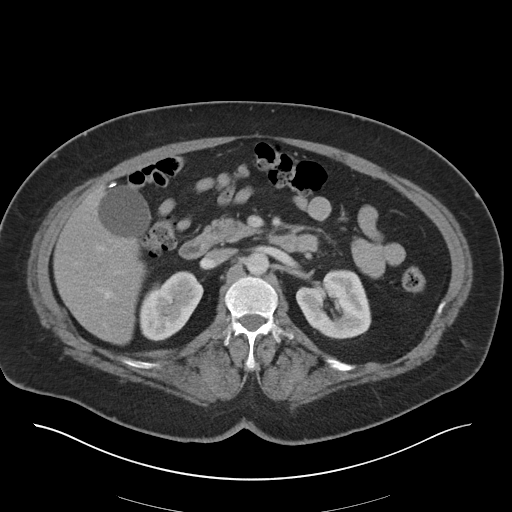
Axial slice 20 of 36 of a contrast-enhanced abdominal CT in the arterial phase (slice 1 is the lowest), 140 kVp, kernel I30f; 5.00 mm slice thickness and 0.906 mm pixels.
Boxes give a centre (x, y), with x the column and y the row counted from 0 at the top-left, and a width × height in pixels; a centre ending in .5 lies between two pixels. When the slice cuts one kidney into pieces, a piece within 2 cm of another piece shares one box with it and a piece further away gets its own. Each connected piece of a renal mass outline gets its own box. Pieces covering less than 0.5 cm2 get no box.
Two boxes on this slice (two kidney boxes), listed by box centre from the image's left to its right. (1) Right kidney in a box with centre (171, 306), 65 × 71 pixels (outlined area 3,095 px, about 25.4 cm2). (2) Left kidney, box centre (333, 304), 77 × 71 pixels (outlined area 3,800 px, about 31.2 cm2). No renal mass outline on this slice.